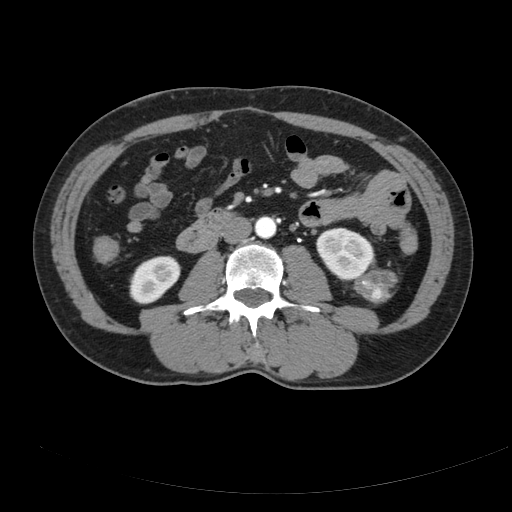
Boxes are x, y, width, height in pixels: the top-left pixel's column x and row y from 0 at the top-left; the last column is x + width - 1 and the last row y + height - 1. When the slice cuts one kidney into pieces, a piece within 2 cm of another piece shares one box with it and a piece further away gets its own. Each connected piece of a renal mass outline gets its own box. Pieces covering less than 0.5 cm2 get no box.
Contrast-enhanced abdominal CT, axial slice 95 of 178 (counted from the lowest slice); 3.00 mm thick, 0.818 mm per pixel. Two kidney boxes and one renal mass box on this slice; by box centre, from the image's left to its right: (1) Right kidney at x 129, y 255, width 52, height 50 (outlined area 1,830 px, about 12.3 cm2). (2) Left kidney at x 316, y 227, width 59, height 54 (outlined area 2,317 px, about 15.5 cm2). (3) Left renal mass, box x 353, y 268, width 46, height 36 (outlined area 1,152 px, about 7.7 cm2).
Tube voltage 120 kVp; convolution kernel B.